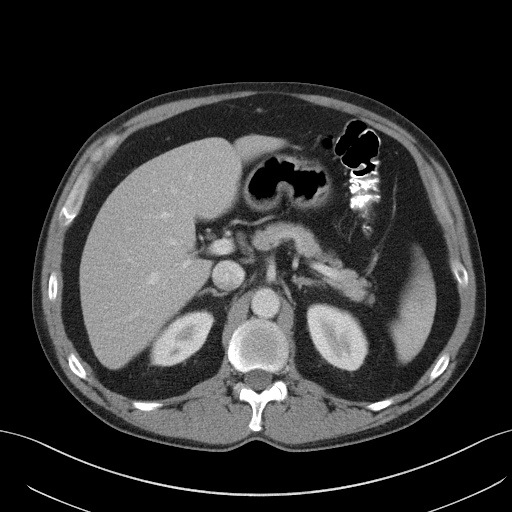
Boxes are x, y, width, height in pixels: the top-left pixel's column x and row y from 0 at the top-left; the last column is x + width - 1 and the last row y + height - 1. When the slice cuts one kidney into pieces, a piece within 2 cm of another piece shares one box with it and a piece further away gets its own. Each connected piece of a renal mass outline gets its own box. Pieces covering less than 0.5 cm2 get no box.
Arterial-phase contrast-enhanced abdominal CT, axial slice 67 of 131 (counted from the lowest slice); 5.00 mm thick, 0.760 mm per pixel. Two kidney boxes on this slice; by box centre, from the image's left to its right: (1) Box x 150, y 311, width 64, height 56: right kidney (outlined area 2,333 px, about 13.5 cm2). (2) Box x 307, y 304, width 61, height 67: left kidney (outlined area 2,935 px, about 16.9 cm2). No renal mass is outlined on this slice.
Acquired at 120 kVp and reconstructed with the B41f kernel.